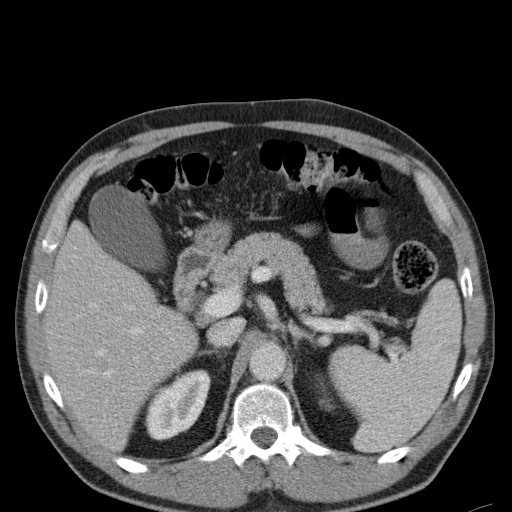
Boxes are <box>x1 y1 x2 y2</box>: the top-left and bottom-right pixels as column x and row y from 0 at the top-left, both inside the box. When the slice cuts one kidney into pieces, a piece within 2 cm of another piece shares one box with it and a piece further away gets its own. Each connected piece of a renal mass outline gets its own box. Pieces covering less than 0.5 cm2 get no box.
Contrast-enhanced abdominal CT, axial slice 77 of 107 (counted from the lowest slice); 5.00 mm thick, 0.730 mm per pixel. Two boxes on this slice (two kidney boxes), listed by box centre from the image's left to its right. (1) Right kidney at <box>144 369 210 440</box> (outlined area 3,189 px, about 17.0 cm2). (2) Left kidney: <box>318 379 335 410</box> (outlined area 209 px, about 1.1 cm2). No renal mass is outlined on this slice.
Acquired at 120 kVp and reconstructed with the B31f kernel.